Arterial-phase contrast-enhanced abdominal CT, axial slice 380 of 612 (counted from the lowest slice); tube voltage 120 kVp, convolution kernel I30f; slices 1.00 mm thick, 0.703 mm per pixel.
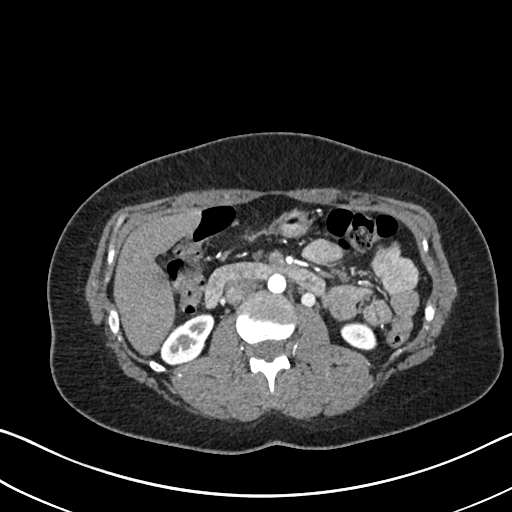
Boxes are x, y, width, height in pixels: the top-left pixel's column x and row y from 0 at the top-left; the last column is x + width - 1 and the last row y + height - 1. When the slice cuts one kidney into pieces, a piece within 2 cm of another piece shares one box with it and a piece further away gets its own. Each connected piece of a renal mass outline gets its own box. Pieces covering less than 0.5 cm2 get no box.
Boxed on this slice (two kidney boxes), listed by box centre from the image's left to its right: (1) Box x 160, y 313, width 55, height 51: right kidney (outlined area 1,751 px, about 8.7 cm2). (2) Box x 340, y 322, width 38, height 28: left kidney (outlined area 799 px, about 4.0 cm2). No renal mass outline on this slice.